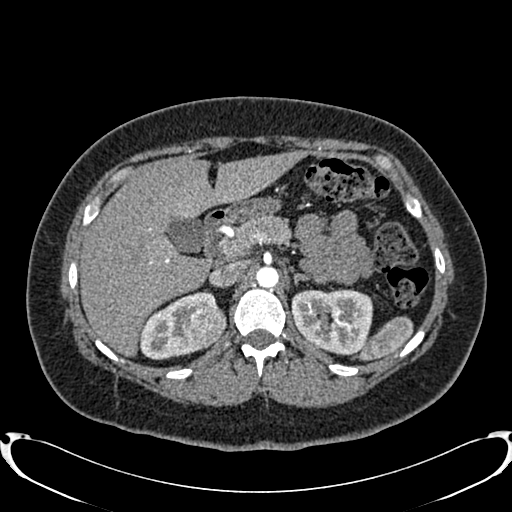
Axial slice 551 of 719 of a contrast-enhanced abdominal CT in the arterial phase (slice 1 is the lowest), 120 kVp, kernel B20f; 1.00 mm slice thickness and 0.766 mm pixels.
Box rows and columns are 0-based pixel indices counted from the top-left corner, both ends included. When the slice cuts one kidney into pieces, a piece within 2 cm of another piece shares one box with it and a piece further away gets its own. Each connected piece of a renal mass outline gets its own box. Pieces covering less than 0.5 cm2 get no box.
Three boxes on this slice (two kidney boxes and one renal mass box), listed by box centre from the image's left to its right. (1) Right kidney, box rows 290–359, columns 138–219 (outlined area 2,918 px, about 17.1 cm2). (2) Right renal mass, box rows 307–346, columns 182–226 (outlined area 1,342 px, about 7.9 cm2). (3) Left kidney, box rows 288–355, columns 291–373 (outlined area 4,358 px, about 25.5 cm2).